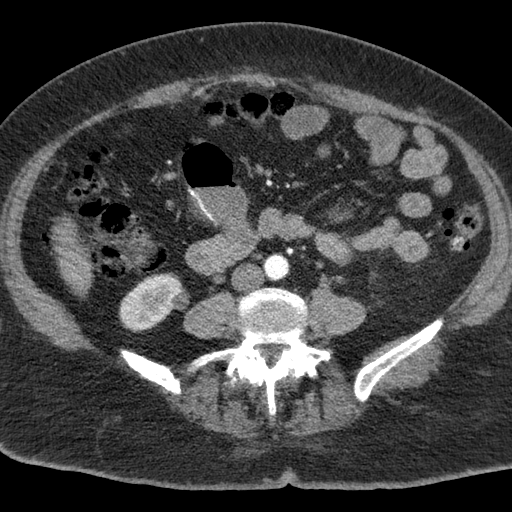
One axial slice (16 of 76, counting up from the lowest) of a contrast-enhanced abdominal CT acquired with 120 kVp, kernel B; each pixel is 0.684 mm and the slice is 3.00 mm thick.
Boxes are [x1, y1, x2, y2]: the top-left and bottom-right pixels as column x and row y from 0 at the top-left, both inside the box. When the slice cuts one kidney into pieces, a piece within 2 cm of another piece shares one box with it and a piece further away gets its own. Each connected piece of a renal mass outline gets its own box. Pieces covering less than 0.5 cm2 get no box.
Box [118, 272, 189, 330]: right kidney (outlined area 2,848 px, about 13.3 cm2). No renal mass is outlined on this slice.